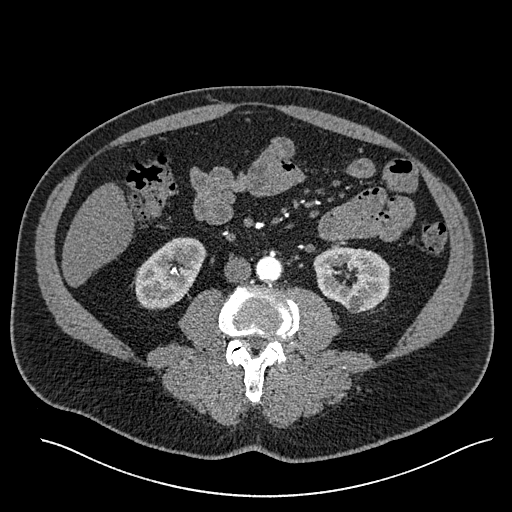
Arterial-phase contrast-enhanced abdominal CT, axial slice 238 of 527 (counted from the lowest slice); tube voltage 120 kVp, convolution kernel I30f; slices 1.00 mm thick, 0.859 mm per pixel.
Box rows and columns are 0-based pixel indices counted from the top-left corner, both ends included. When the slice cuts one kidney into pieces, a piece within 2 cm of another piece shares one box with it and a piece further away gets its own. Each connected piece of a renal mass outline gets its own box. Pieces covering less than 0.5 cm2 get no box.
Two kidney boxes on this slice; by box centre, from the image's left to its right: (1) Box rows 237–308, columns 134–205: right kidney (outlined area 3,568 px, about 26.4 cm2). (2) Left kidney, box rows 247–313, columns 313–390 (outlined area 3,869 px, about 28.6 cm2). No renal mass outline on this slice.